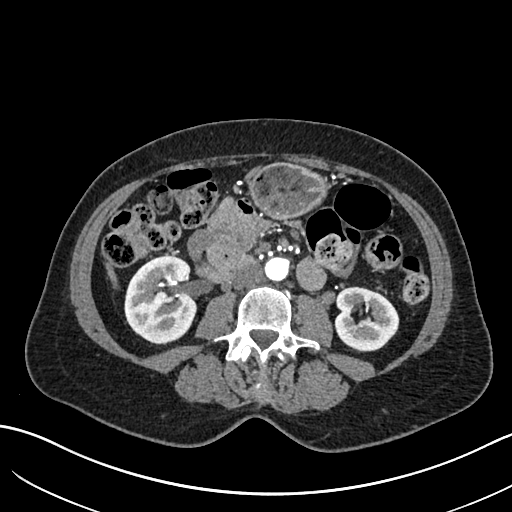
Axial slice 322 of 683 of a contrast-enhanced abdominal CT in the arterial phase (slice 1 is the lowest), 120 kVp, kernel I30f; 1.00 mm slice thickness and 0.738 mm pixels.
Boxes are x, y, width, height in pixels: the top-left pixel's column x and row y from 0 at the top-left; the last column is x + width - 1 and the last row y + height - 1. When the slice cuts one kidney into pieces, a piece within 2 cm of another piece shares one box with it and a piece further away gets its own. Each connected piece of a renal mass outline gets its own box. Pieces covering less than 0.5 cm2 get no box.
Two kidney boxes on this slice; by box centre, from the image's left to its right: (1) Box x 124, y 256, width 74, height 89: right kidney (outlined area 5,121 px, about 27.9 cm2). (2) Box x 334, y 286, width 66, height 66: left kidney (outlined area 3,230 px, about 17.6 cm2). This slice carries no renal mass outline.